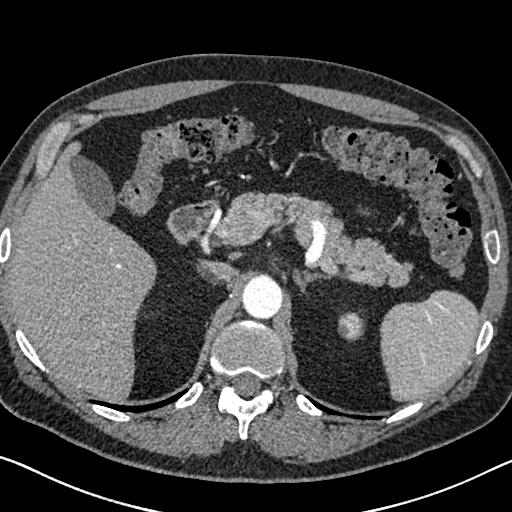
Arterial-phase contrast-enhanced abdominal CT, axial slice 490 of 626 (counted from the lowest slice); tube voltage 120 kVp, convolution kernel I30f; slices 1.00 mm thick, 0.703 mm per pixel.
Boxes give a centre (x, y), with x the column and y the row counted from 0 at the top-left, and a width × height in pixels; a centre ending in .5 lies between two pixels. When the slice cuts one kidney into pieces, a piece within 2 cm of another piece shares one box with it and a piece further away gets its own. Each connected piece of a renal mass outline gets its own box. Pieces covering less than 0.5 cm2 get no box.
Box centre (351, 326.5), 27 × 30 pixels: left kidney (outlined area 617 px, about 3.1 cm2). No renal mass is outlined on this slice.